Abdominal CT with intravenous contrast, arterial phase, axial plane, 100 kVp, kernel I40f. Slice 26/102 from the bottom of the scan; thickness 5.00 mm; pixel size 0.781 mm.
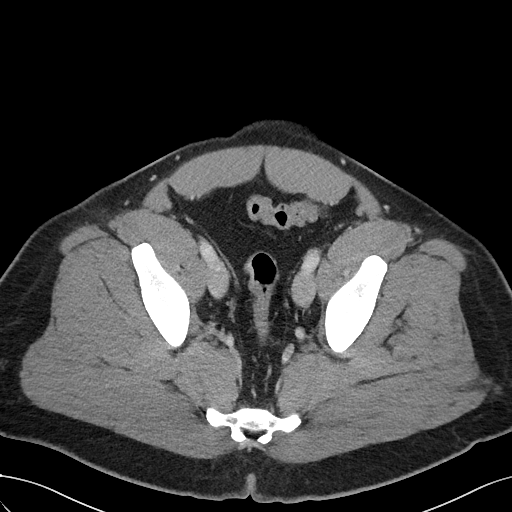
This slice carries no outline: it lies beyond the outlined kidneys and beyond every outlined renal mass. Other organs are not outlined in this scan.